One axial slice (344 of 433, counting up from the lowest) of a contrast-enhanced abdominal CT acquired with 120 kVp, kernel B30f; each pixel is 0.672 mm and the slice is 1.00 mm thick.
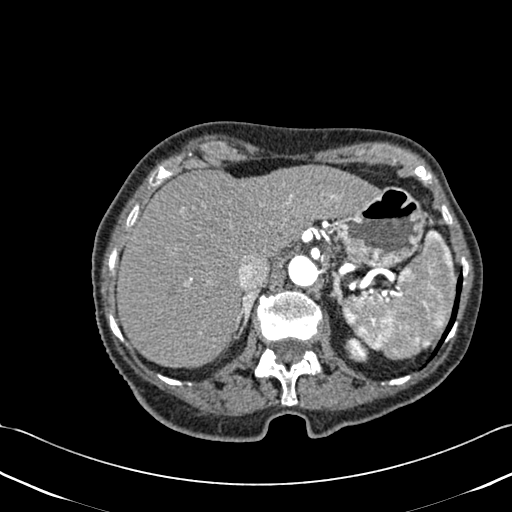
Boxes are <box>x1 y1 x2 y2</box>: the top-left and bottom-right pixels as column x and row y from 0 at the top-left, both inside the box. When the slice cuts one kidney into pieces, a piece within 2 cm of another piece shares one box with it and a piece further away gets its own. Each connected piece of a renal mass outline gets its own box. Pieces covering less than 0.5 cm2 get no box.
Left kidney at <box>344 335 370 362</box> (outlined area 507 px, about 2.3 cm2). No renal mass outline on this slice.